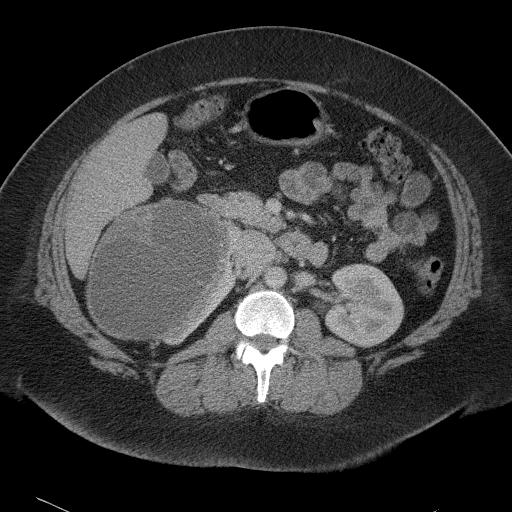
Abdominal CT with intravenous contrast, axial plane, 120 kVp, kernel B41f. Slice 61/90 from the bottom of the scan; thickness 5.00 mm; pixel size 0.781 mm.
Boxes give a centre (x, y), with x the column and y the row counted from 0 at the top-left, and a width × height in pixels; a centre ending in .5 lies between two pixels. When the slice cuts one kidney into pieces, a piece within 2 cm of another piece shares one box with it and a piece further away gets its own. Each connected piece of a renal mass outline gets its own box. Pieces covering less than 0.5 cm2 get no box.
Three boxes on this slice (two kidney boxes and one renal mass box), listed by box centre from the image's left to its right. (1) Right renal mass, box centre (160, 270), 149 × 141 pixels (outlined area 15,155 px, about 92.5 cm2). (2) Box centre (195.5, 300), 82 × 91 pixels: right kidney (outlined area 1,918 px, about 11.7 cm2). (3) Left kidney in a box with centre (363, 305), 81 × 85 pixels (outlined area 5,167 px, about 31.5 cm2).